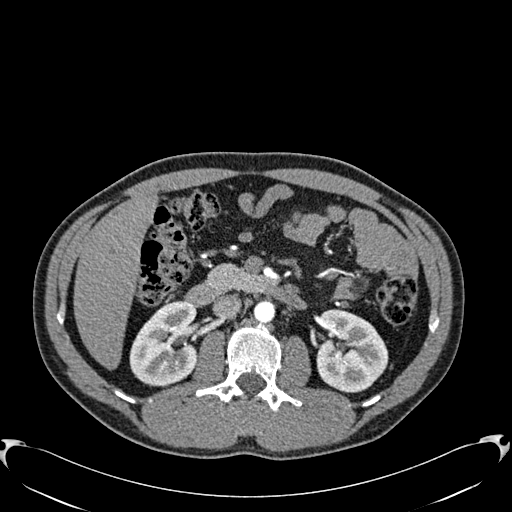
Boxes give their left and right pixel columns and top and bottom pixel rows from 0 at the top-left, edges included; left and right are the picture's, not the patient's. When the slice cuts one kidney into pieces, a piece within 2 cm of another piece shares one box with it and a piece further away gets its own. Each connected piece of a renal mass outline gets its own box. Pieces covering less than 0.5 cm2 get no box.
This is axial slice 350 of 512 (slice 1 is the lowest) of an arterial-phase abdominal CT with contrast; each pixel is 0.771 mm and the slice is 1.00 mm thick. Two kidney boxes on this slice; by box centre, from the image's left to its right: (1) Right kidney, the box with left 129, top 301, right 197, bottom 386 (outlined area 4,497 px, about 26.8 cm2). (2) Left kidney in the box with left 316, top 309, right 388, bottom 392 (outlined area 4,646 px, about 27.7 cm2). No renal mass is outlined on this slice.
Scan settings: 120 kVp, B30f reconstruction kernel.